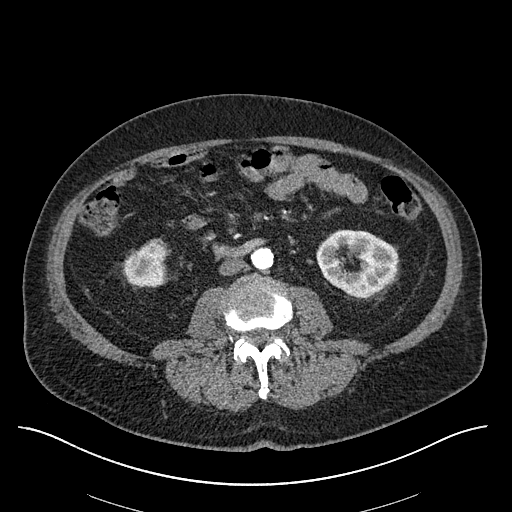
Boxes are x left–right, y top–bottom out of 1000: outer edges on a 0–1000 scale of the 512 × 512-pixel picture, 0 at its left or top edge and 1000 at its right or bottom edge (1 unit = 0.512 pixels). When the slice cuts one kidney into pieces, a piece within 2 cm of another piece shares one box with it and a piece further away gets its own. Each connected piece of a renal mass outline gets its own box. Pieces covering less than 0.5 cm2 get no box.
This is axial slice 258 of 670 (slice 1 is the lowest) of an arterial-phase abdominal CT with contrast; each pixel is 0.861 mm and the slice is 1.00 mm thick. Two boxes on this slice (two kidney boxes), listed by box centre from the image's left to its right. (1) Box x 240–328, y 465–563 out of 1000: right kidney (outlined area 1,693 px, about 12.6 cm2). (2) Box x 617–777, y 447–582 out of 1000: left kidney (outlined area 4,066 px, about 30.2 cm2). No renal mass is outlined on this slice.
Acquired at 120 kVp and reconstructed with the I30f kernel.